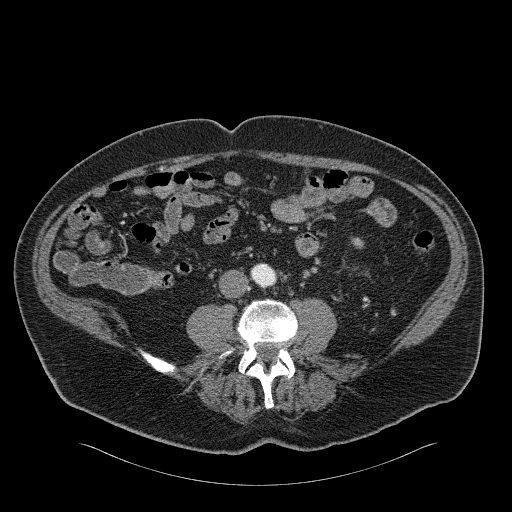
Axial slice 53 of 326 of a contrast-enhanced abdominal CT in the arterial phase (slice 1 is the lowest), 120 kVp, kernel B31f; 2.00 mm slice thickness and 0.963 mm pixels.
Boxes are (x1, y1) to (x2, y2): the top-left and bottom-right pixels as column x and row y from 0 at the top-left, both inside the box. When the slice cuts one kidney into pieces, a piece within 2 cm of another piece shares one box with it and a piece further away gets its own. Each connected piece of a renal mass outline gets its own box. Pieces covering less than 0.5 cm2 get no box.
Left kidney from (351, 237) to (361, 246) (outlined area 90 px, about 0.8 cm2). No renal mass outline on this slice.